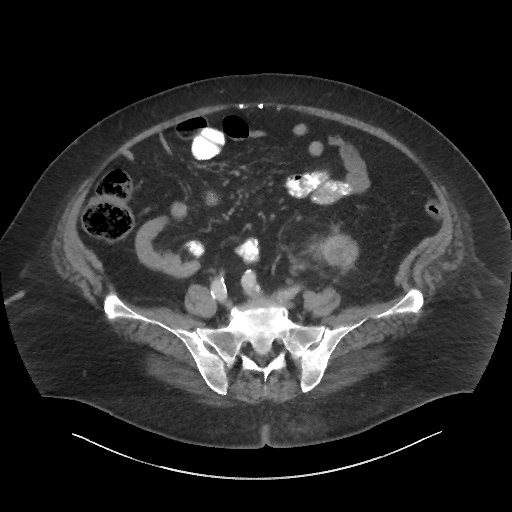
One axial slice (5 of 86, counting up from the lowest) of a contrast-enhanced abdominal CT acquired with 140 kVp, kernel I44f; each pixel is 0.977 mm and the slice is 3.00 mm thick.
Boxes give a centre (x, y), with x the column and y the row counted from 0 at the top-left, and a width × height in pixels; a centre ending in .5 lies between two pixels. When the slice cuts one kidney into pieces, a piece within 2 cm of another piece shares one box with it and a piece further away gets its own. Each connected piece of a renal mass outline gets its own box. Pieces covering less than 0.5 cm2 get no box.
Left renal mass, box centre (340, 250), 37 × 33 pixels (outlined area 985 px, about 9.4 cm2); this slice has no kidney outline, though on another slice the same outlined renal mass lies within 1 cm of the kidney.